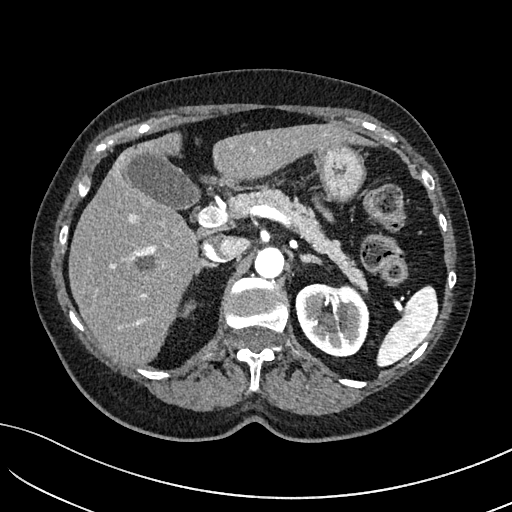
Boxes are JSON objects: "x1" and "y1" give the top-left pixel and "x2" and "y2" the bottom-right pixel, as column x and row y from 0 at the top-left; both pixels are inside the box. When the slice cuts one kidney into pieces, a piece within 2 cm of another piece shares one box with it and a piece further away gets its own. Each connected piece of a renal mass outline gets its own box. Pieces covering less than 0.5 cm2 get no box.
Arterial-phase contrast-enhanced abdominal CT, axial slice 104 of 234 (counted from the lowest slice); 2.00 mm thick, 0.699 mm per pixel. Boxed on this slice (two kidney boxes), listed by box centre from the image's left to its right: (1) Box {"x1": 179, "y1": 302, "x2": 194, "y2": 317}: right kidney (outlined area 151 px, about 0.7 cm2). (2) Left kidney at {"x1": 295, "y1": 283, "x2": 369, "y2": 357} (outlined area 4,323 px, about 21.1 cm2). No renal mass is outlined on this slice.
Acquired at 100 kVp and reconstructed with the I40f kernel.